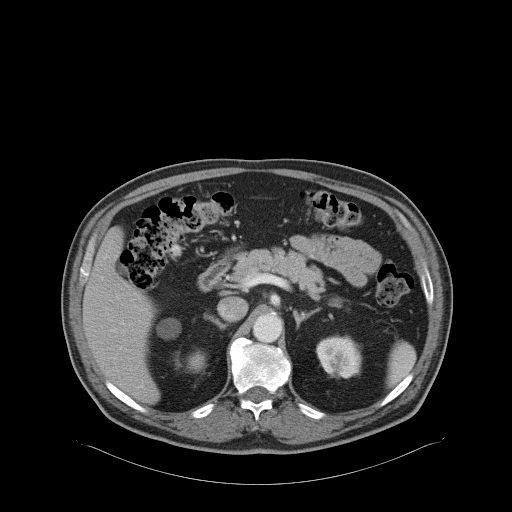
Axial slice 55 of 68 of a contrast-enhanced abdominal CT in the arterial phase (slice 1 is the lowest), 120 kVp, kernel B31f; 5.00 mm slice thickness and 0.961 mm pixels.
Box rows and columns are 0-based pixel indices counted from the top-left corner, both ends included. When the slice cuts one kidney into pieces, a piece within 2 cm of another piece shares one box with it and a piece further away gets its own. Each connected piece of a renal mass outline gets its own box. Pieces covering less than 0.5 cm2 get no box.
Two kidney boxes on this slice; by box centre, from the image's left to its right: (1) Box rows 318–371, columns 156–205: right kidney (outlined area 688 px, about 6.4 cm2). (2) Left kidney, box rows 335–378, columns 316–362 (outlined area 1,636 px, about 15.1 cm2). No renal mass is outlined on this slice.